Axial slice 696 of 987 of a contrast-enhanced abdominal CT in the arterial phase (slice 1 is the lowest), 120 kVp, kernel I26f; 1.00 mm slice thickness and 0.977 mm pixels.
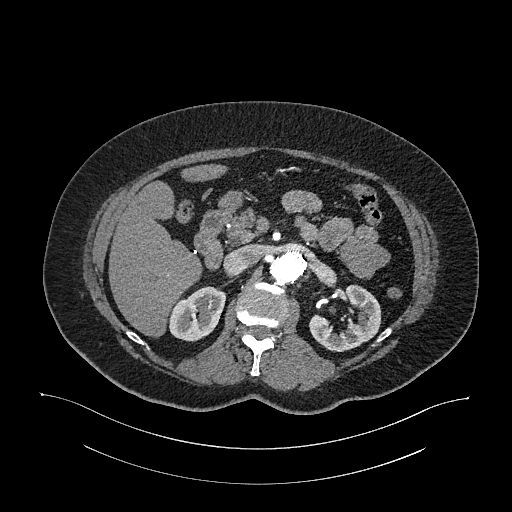
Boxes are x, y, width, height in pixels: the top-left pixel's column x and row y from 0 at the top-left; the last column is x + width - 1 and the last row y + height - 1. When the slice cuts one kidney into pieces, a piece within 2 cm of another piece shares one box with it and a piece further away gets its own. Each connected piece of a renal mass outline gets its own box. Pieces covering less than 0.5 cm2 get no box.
Two kidney boxes on this slice; by box centre, from the image's left to its right: (1) Box x 167, y 286, width 60, height 56: right kidney (outlined area 2,306 px, about 22.0 cm2). (2) Box x 309, y 284, width 73, height 68: left kidney (outlined area 2,775 px, about 26.5 cm2). No renal mass is outlined on this slice.